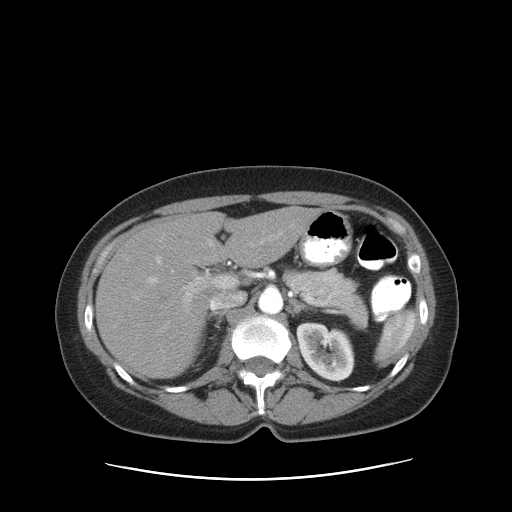
Axial slice 60 of 83 of a contrast-enhanced abdominal CT in the arterial phase (slice 1 is the lowest), 120 kVp, kernel STANDARD; 5.00 mm slice thickness and 0.775 mm pixels.
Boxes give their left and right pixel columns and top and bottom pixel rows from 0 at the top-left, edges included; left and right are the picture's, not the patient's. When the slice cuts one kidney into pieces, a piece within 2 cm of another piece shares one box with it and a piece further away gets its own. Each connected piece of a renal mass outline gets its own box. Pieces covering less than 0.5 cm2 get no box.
Left kidney, the box with left 296, top 321, right 354, bottom 381 (outlined area 2,637 px, about 15.9 cm2). No renal mass outline on this slice.